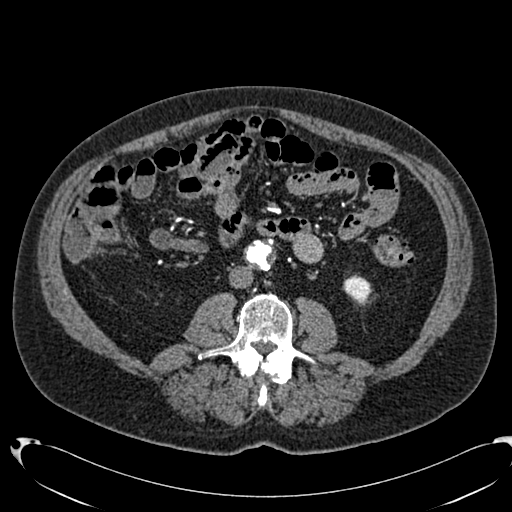
Arterial-phase contrast-enhanced abdominal CT, axial slice 314 of 553 (counted from the lowest slice); tube voltage 120 kVp, convolution kernel B20f; slices 1.00 mm thick, 0.773 mm per pixel.
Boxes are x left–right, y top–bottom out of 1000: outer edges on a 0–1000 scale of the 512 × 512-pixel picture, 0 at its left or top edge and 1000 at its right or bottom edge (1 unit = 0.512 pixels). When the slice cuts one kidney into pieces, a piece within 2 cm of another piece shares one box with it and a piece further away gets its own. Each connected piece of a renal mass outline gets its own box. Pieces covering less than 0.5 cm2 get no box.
Box x 670–725, y 537–596 out of 1000: left kidney (outlined area 585 px, about 3.5 cm2). No renal mass outline on this slice.